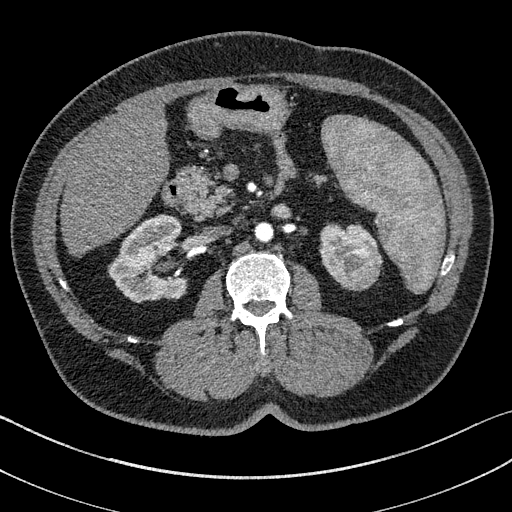
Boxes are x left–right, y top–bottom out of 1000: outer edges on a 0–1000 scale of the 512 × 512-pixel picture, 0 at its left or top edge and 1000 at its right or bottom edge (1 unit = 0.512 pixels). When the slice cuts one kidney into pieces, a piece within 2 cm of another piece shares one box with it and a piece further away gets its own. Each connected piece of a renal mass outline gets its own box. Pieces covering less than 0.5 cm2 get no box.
Slice 87/195 of a contrast-enhanced abdominal CT in the arterial phase, counting up from the lowest; pixel size 0.707 mm, slice thickness 1.50 mm. Two kidney boxes and one renal mass box on this slice; by box centre, from the image's left to its right: (1) Box x 211–365, y 418–592 out of 1000: right kidney (outlined area 4,676 px, about 23.4 cm2). (2) Left kidney, box x 625–744, y 438–549 out of 1000 (outlined area 1,655 px, about 8.3 cm2). (3) Box x 656–748, y 486–568 out of 1000: left renal mass (outlined area 1,540 px, about 7.7 cm2).
Acquired at 100 kVp and reconstructed with the I31f kernel.